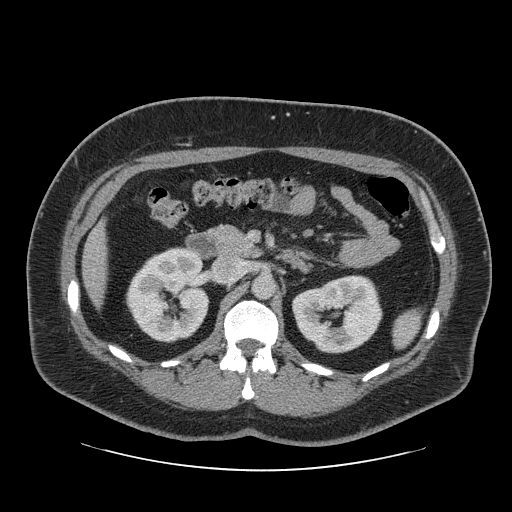
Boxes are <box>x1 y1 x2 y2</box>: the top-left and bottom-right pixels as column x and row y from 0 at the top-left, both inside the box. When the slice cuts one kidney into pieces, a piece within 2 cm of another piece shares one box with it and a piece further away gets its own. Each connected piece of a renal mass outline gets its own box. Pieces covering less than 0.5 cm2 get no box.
Arterial-phase contrast-enhanced abdominal CT, axial slice 42 of 69 (counted from the lowest slice); 2.50 mm thick, 0.846 mm per pixel. Two kidney boxes on this slice; by box centre, from the image's left to its right: (1) Right kidney at <box>125 246 210 342</box> (outlined area 6,075 px, about 43.4 cm2). (2) Left kidney at <box>291 275 382 353</box> (outlined area 5,268 px, about 37.7 cm2). No renal mass is outlined on this slice.
Acquired at 120 kVp and reconstructed with the STANDARD kernel.